Abdominal CT with intravenous contrast, axial plane, 140 kVp, kernel B41f. Slice 28/61 from the bottom of the scan; thickness 3.00 mm; pixel size 0.939 mm.
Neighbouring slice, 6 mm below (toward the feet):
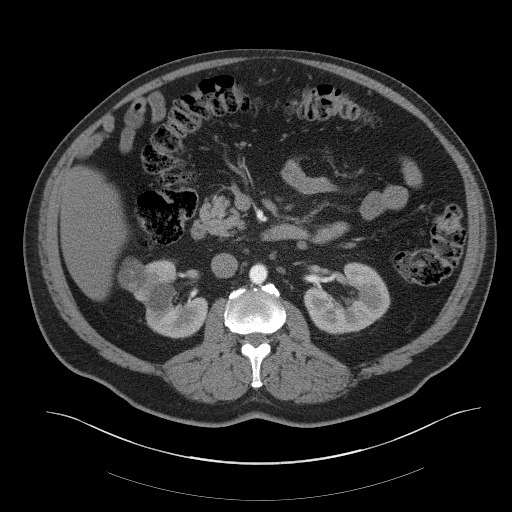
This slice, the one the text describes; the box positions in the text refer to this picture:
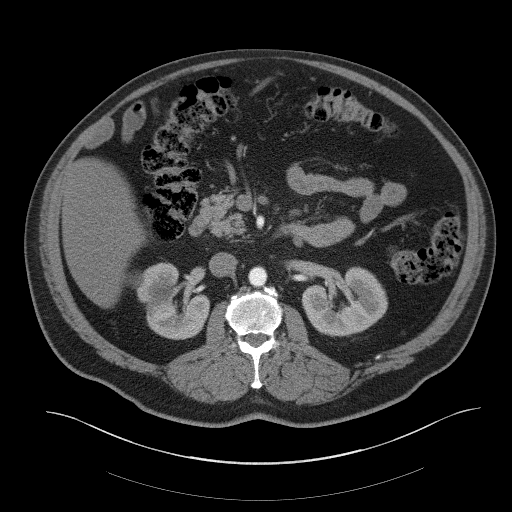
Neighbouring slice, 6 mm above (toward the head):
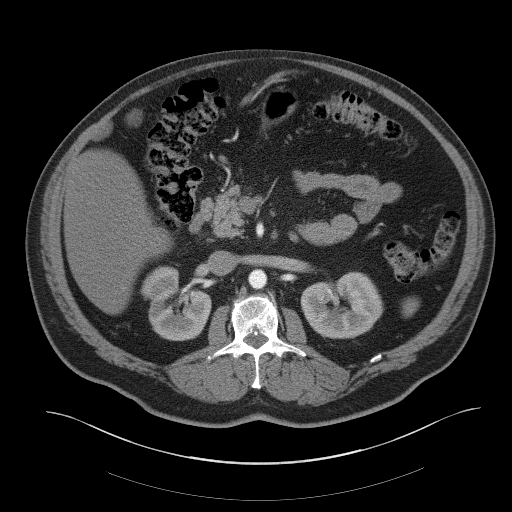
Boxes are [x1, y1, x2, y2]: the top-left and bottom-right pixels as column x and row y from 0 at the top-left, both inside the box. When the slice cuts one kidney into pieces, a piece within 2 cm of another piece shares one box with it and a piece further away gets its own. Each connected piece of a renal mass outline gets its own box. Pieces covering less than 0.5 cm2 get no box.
Boxed on this slice (two kidney boxes and one renal mass box), listed by box centre from the image's left to its right: (1) Right renal mass, box [123, 272, 144, 288] (outlined area 243 px, about 2.1 cm2). (2) Right kidney, box [136, 262, 209, 339] (outlined area 3,902 px, about 34.4 cm2). (3) Box [301, 266, 387, 336]: left kidney (outlined area 4,324 px, about 38.2 cm2). This slice is near the end of the right renal mass toward the head, so the slices 6 mm below and 6 mm above it are shown as well; the boxes refer to this slice only.